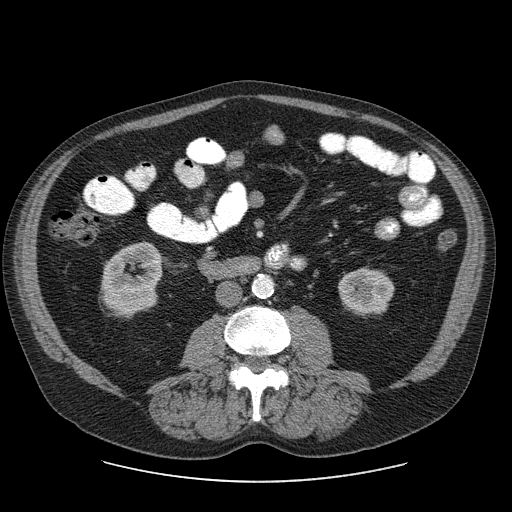
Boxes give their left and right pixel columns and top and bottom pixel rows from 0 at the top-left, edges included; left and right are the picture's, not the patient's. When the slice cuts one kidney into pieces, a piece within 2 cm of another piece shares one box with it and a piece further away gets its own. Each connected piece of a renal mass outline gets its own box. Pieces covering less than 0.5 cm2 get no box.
This is axial slice 22 of 103 (slice 1 is the lowest) of an abdominal CT with contrast; each pixel is 0.820 mm and the slice is 2.50 mm thick. Boxed on this slice (two kidney boxes), listed by box centre from the image's left to its right: (1) Right kidney, the box with left 100, top 242, right 162, bottom 318 (outlined area 3,561 px, about 24.0 cm2). (2) Box with left 338, top 268, right 394, bottom 313: left kidney (outlined area 2,064 px, about 13.9 cm2). No renal mass is outlined on this slice.
Acquired at 120 kVp and reconstructed with the STANDARD kernel.